One axial slice (23 of 121, counting up from the lowest) of an arterial-phase abdominal CT acquired with 120 kVp, kernel STANDARD; each pixel is 0.861 mm and the slice is 2.50 mm thick.
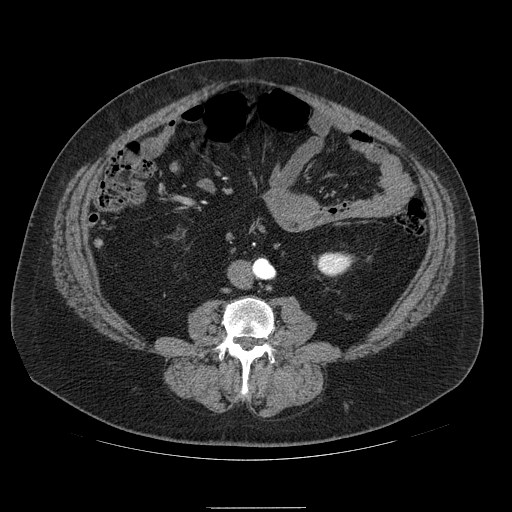
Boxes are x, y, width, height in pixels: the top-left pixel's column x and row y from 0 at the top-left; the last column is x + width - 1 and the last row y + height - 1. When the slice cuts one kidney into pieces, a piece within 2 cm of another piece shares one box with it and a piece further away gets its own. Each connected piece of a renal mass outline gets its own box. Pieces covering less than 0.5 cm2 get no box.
Left kidney, box x 316, y 252, width 37, height 25 (outlined area 660 px, about 4.9 cm2). This slice carries no renal mass outline.